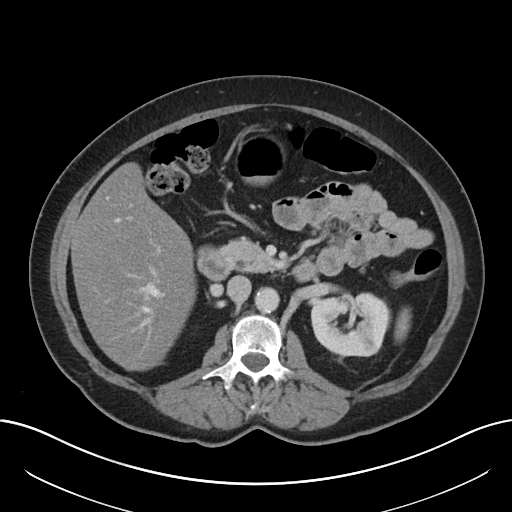
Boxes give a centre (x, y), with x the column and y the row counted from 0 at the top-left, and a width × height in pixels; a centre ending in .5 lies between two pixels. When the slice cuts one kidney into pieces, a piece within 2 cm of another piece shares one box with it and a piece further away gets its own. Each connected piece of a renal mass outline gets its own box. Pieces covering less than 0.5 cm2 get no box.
Contrast-enhanced abdominal CT, axial slice 121 of 197 (counted from the lowest slice); 5.00 mm thick, 0.791 mm per pixel. Left kidney in a box with centre (350, 323.5), 81 × 66 pixels (outlined area 4,134 px, about 25.9 cm2). This slice carries no renal mass outline.
Acquired at 120 kVp and reconstructed with the I30f kernel.